Axial slice 532 of 705 of a contrast-enhanced abdominal CT in the arterial phase (slice 1 is the lowest), 120 kVp, kernel I30f; 1.00 mm slice thickness and 0.703 mm pixels.
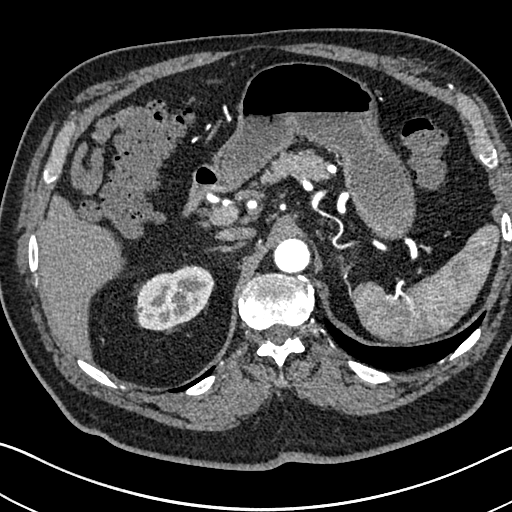
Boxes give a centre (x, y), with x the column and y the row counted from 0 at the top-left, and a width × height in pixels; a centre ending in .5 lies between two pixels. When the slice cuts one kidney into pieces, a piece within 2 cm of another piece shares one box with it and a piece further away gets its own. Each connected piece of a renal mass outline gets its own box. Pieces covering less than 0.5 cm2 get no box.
Right kidney in a box with centre (174.5, 297.5), 78 × 66 pixels (outlined area 3,768 px, about 18.6 cm2). No renal mass is outlined on this slice.